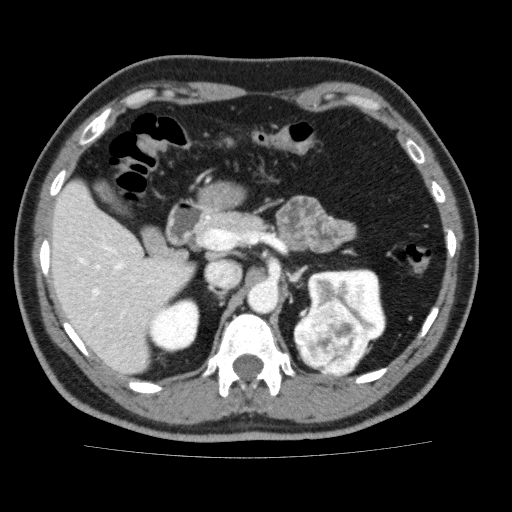
Abdominal CT with intravenous contrast, axial plane, 120 kVp, kernel FC13. Slice 116/159 from the bottom of the scan; thickness 3.00 mm; pixel size 0.668 mm.
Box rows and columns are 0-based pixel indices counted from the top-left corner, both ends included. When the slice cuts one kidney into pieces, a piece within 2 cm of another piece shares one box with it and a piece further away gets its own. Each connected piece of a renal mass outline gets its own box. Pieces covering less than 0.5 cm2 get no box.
Two kidney boxes and one renal mass box on this slice; by box centre, from the image's left to its right: (1) Box rows 298–353, columns 149–199: right kidney (outlined area 2,109 px, about 9.4 cm2). (2) Left renal mass, box rows 301–377, columns 293–369 (outlined area 4,129 px, about 18.4 cm2). (3) Left kidney, box rows 268–341, columns 305–386 (outlined area 3,447 px, about 15.4 cm2).